Arterial-phase contrast-enhanced abdominal CT, axial slice 477 of 723 (counted from the lowest slice); tube voltage 120 kVp, convolution kernel B30f; slices 1.00 mm thick, 0.895 mm per pixel.
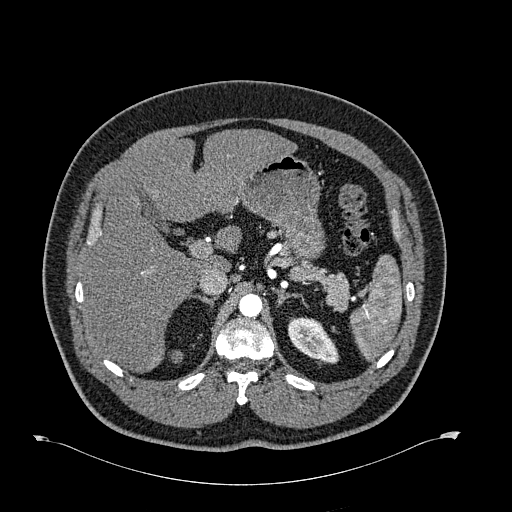
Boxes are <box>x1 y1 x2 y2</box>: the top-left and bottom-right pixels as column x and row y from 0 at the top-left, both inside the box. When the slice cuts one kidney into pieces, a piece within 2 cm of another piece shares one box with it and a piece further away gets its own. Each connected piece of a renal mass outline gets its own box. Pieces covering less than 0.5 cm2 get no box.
At <box>287 316 339 363</box>: left kidney (outlined area 1,607 px, about 12.9 cm2). No renal mass is outlined on this slice.